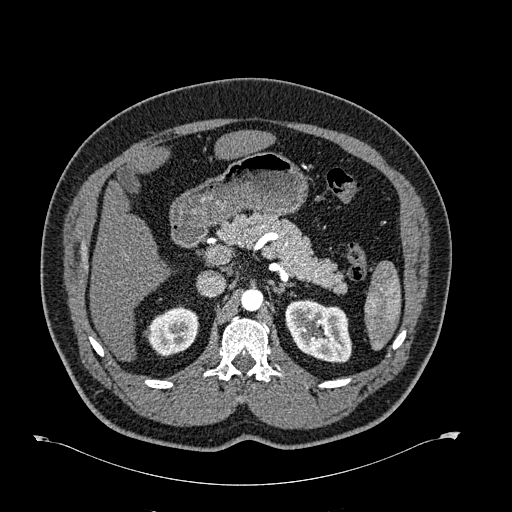
Axial slice 437 of 723 of a contrast-enhanced abdominal CT in the arterial phase (slice 1 is the lowest), 120 kVp, kernel B30f; 1.00 mm slice thickness and 0.895 mm pixels.
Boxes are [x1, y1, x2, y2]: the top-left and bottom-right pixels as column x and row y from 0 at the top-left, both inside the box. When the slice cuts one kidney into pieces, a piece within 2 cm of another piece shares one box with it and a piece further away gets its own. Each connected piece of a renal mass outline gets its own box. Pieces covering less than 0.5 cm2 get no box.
Two boxes on this slice (two kidney boxes), listed by box centre from the image's left to its right. (1) Box [143, 305, 198, 356]: right kidney (outlined area 1,996 px, about 16.0 cm2). (2) Box [285, 299, 352, 363]: left kidney (outlined area 3,275 px, about 26.2 cm2). No renal mass is outlined on this slice.